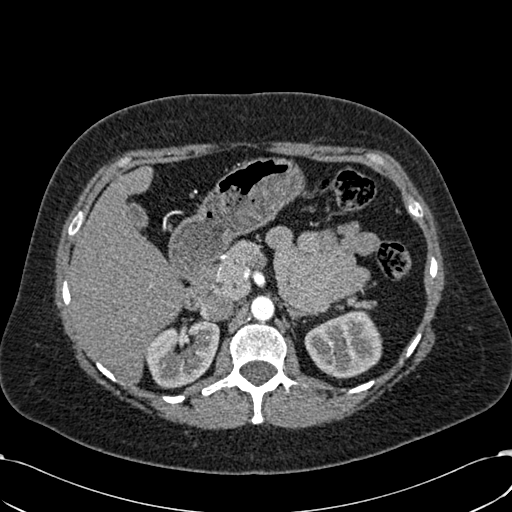
Abdominal CT with intravenous contrast, arterial phase, axial plane, 120 kVp, kernel B30f. Slice 413/532 from the bottom of the scan; thickness 1.00 mm; pixel size 0.713 mm.
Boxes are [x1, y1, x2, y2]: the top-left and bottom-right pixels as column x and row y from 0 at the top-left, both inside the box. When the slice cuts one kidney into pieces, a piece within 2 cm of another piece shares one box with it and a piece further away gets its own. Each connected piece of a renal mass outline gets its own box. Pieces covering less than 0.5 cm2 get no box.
Two kidney boxes on this slice; by box centre, from the image's left to its right: (1) Right kidney at [145, 319, 219, 388] (outlined area 3,715 px, about 18.9 cm2). (2) Left kidney at [304, 310, 382, 378] (outlined area 3,934 px, about 20.0 cm2). No renal mass is outlined on this slice.